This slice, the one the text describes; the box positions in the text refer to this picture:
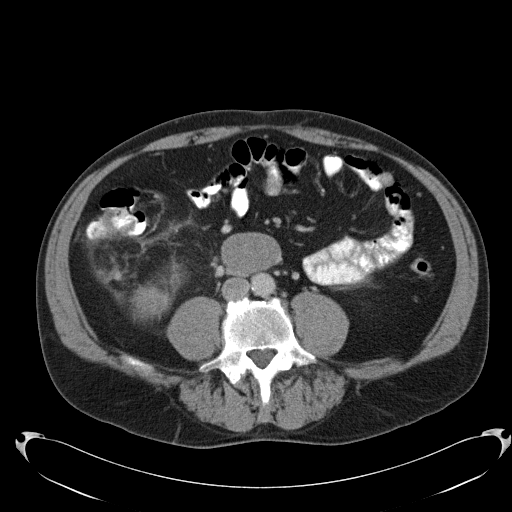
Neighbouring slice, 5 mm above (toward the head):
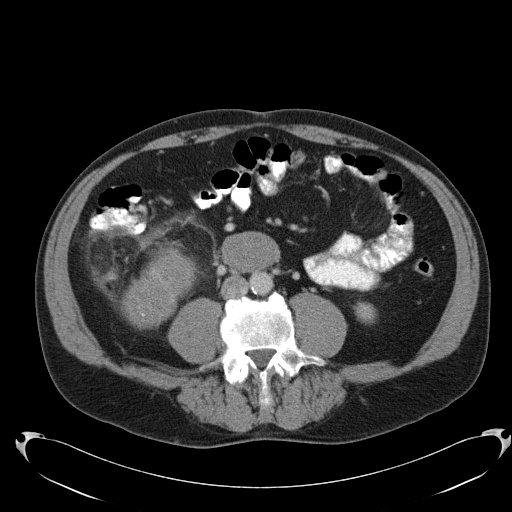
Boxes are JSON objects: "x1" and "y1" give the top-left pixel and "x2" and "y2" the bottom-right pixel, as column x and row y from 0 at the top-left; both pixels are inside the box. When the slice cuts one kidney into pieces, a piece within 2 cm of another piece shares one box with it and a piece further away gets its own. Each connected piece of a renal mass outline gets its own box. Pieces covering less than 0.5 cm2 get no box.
Contrast-enhanced abdominal CT, axial slice 50 of 103 (counted from the lowest slice); 5.00 mm thick, 0.801 mm per pixel. Box {"x1": 129, "y1": 261, "x2": 186, "y2": 320}: right renal mass (outlined area 1,777 px, about 11.4 cm2); no kidney is outlined on this slice, but the same outlined renal mass comes within 1 cm of the kidney on another slice. This slice lies near the end of the right renal mass toward the feet; the slice 5 mm above it is shown too, and the boxes mark positions on this slice only.
Tube voltage 120 kVp; convolution kernel B31f.